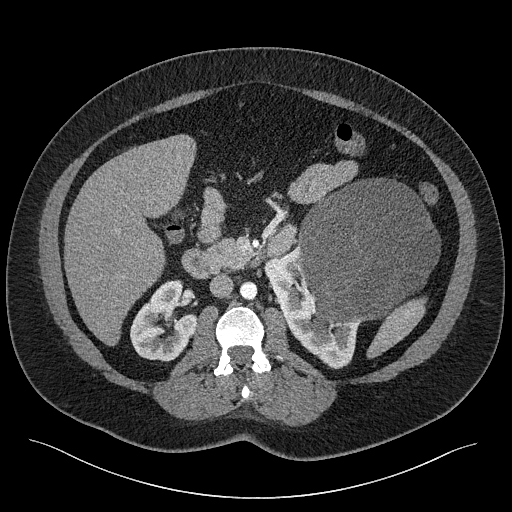
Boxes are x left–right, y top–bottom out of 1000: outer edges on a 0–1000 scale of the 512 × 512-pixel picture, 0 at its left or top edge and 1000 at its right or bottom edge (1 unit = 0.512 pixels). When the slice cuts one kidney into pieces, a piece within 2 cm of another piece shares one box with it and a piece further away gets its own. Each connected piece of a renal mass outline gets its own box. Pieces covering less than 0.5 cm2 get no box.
Slice 130/301 of a contrast-enhanced abdominal CT, counting up from the lowest; pixel size 0.859 mm, slice thickness 2.00 mm. Three boxes on this slice (two kidney boxes and one renal mass box), listed by box centre from the image's left to its right. (1) Box x 254–385, y 547–707 out of 1000: right kidney (outlined area 3,698 px, about 27.3 cm2). (2) Left kidney at x 514–705, y 480–723 out of 1000 (outlined area 4,704 px, about 34.7 cm2). (3) Box x 578–861, y 348–639 out of 1000: left renal mass (outlined area 15,774 px, about 116.5 cm2).
Scan settings: 120 kVp, I40f reconstruction kernel.